Axial slice 50 of 88 of a contrast-enhanced abdominal CT in the arterial phase (slice 1 is the lowest), 120 kVp, kernel B30f; 5.00 mm slice thickness and 0.691 mm pixels.
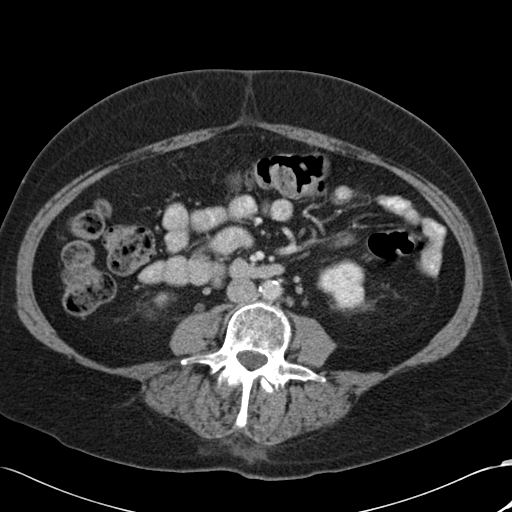
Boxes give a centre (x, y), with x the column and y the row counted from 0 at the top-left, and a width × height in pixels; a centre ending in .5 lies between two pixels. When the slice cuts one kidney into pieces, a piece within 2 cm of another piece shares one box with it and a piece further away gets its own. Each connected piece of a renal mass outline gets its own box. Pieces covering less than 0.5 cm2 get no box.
Boxed on this slice (two kidney boxes), listed by box centre from the image's left to its right: (1) Right kidney in a box with centre (161.5, 299), 14 × 15 pixels (outlined area 163 px, about 0.8 cm2). (2) Left kidney in a box with centre (341, 285), 49 × 53 pixels (outlined area 1,870 px, about 8.9 cm2). This slice carries no renal mass outline.